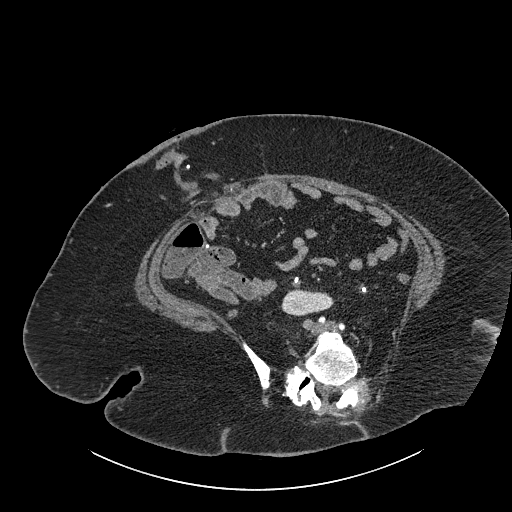
Abdominal CT with intravenous contrast, axial plane, 140 kVp, kernel I30f. Slice 391/834 from the bottom of the scan; thickness 1.00 mm; pixel size 0.977 mm.
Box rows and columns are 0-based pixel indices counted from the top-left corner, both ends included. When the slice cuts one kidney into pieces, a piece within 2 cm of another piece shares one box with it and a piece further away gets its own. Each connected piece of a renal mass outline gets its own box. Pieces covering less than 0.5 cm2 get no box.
Box rows 288–316, columns 281–334: right part of the midline-crossing kidney (outlined area 1,107 px, about 10.6 cm2). No renal mass outline on this slice.